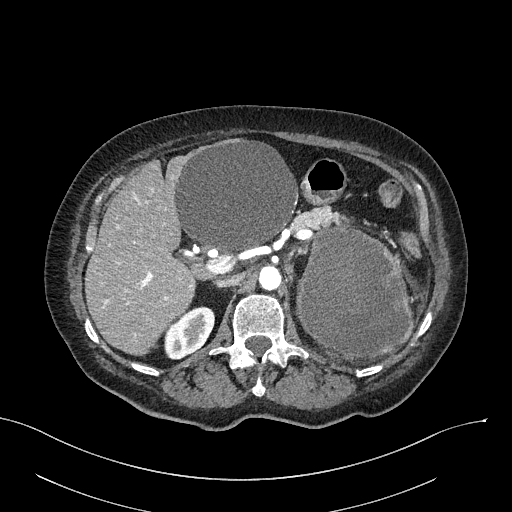
Abdominal CT with intravenous contrast, arterial phase, axial plane, 100 kVp, kernel I40f. Slice 172/316 from the bottom of the scan; thickness 2.00 mm; pixel size 0.840 mm.
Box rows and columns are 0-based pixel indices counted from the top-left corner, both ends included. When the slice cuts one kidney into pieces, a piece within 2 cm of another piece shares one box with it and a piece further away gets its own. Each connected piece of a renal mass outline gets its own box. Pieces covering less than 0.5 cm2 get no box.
One kidney box and one renal mass box on this slice; by box centre, from the image's left to its right: (1) Right kidney, box rows 306–359, columns 163–214 (outlined area 1,888 px, about 13.3 cm2). (2) Left renal mass at rows 226–358, columns 296–412 (outlined area 11,945 px, about 84.3 cm2); here it is more than 1 cm from any kidney outline, though on another slice the same outlined renal mass lies within 1 cm of the kidney.